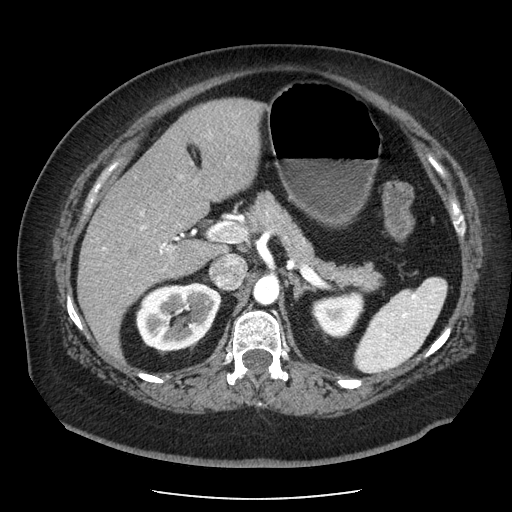
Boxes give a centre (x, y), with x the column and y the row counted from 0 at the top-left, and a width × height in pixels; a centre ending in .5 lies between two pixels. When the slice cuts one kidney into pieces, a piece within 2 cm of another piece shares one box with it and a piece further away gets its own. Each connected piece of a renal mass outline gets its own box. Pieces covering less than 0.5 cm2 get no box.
Arterial-phase contrast-enhanced abdominal CT, axial slice 139 of 186 (counted from the lowest slice); 2.50 mm thick, 0.742 mm per pixel. Boxed on this slice (two kidney boxes), listed by box centre from the image's left to its right: (1) Right kidney, box centre (178, 316.5), 87 × 70 pixels (outlined area 4,619 px, about 25.4 cm2). (2) Box centre (338, 314), 53 × 49 pixels: left kidney (outlined area 1,853 px, about 10.2 cm2). No renal mass is outlined on this slice.
Scan settings: 120 kVp, STANDARD reconstruction kernel.